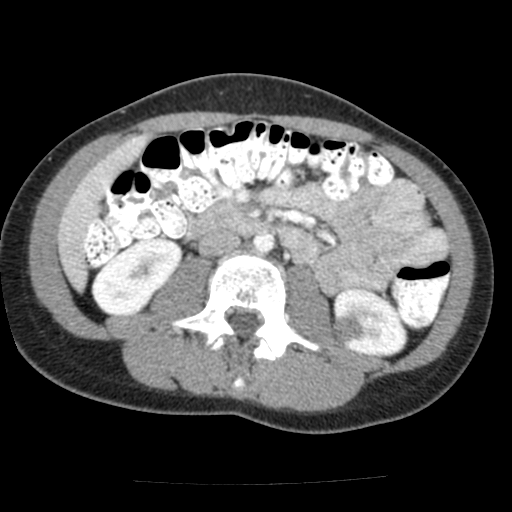
Arterial-phase contrast-enhanced abdominal CT, axial slice 72 of 117 (counted from the lowest slice); tube voltage 120 kVp, convolution kernel FC12; slices 3.00 mm thick, 0.518 mm per pixel.
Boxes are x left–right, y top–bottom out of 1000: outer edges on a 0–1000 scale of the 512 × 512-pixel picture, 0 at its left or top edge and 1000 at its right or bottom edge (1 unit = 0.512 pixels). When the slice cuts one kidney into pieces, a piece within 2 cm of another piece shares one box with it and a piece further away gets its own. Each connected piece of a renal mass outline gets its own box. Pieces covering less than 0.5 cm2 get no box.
Boxed on this slice (two kidney boxes and one renal mass box), listed by box centre from the image's left to its right: (1) Box x 178–357, y 463–617 out of 1000: right kidney (outlined area 4,804 px, about 12.9 cm2). (2) Left renal mass at x 643–711, y 613–670 out of 1000 (outlined area 803 px, about 2.2 cm2). (3) Box x 648–799, y 561–699 out of 1000: left kidney (outlined area 3,317 px, about 8.9 cm2).